Axial slice 414 of 665 of a contrast-enhanced abdominal CT in the arterial phase (slice 1 is the lowest), 100 kVp, kernel I26f; 1.00 mm slice thickness and 0.828 mm pixels.
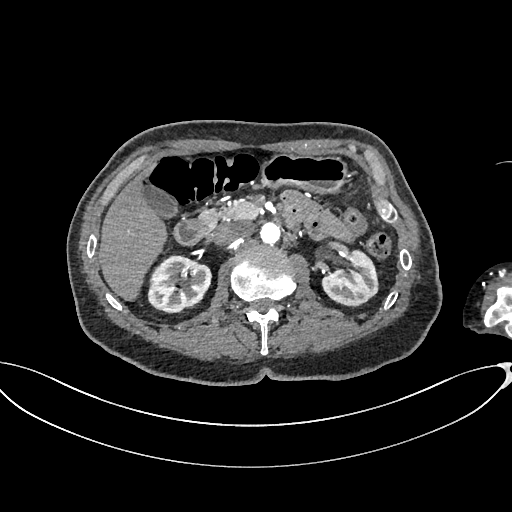
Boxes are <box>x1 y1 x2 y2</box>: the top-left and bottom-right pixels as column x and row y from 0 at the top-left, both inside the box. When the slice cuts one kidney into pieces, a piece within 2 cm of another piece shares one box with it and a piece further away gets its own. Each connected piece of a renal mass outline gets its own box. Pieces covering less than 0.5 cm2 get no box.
Boxed on this slice (two kidney boxes), listed by box centre from the image's left to its right: (1) Right kidney: <box>147 255 211 313</box> (outlined area 2,888 px, about 19.8 cm2). (2) Left kidney at <box>322 249 378 307</box> (outlined area 2,323 px, about 15.9 cm2). This slice carries no renal mass outline.